Axial slice 502 of 673 of a contrast-enhanced abdominal CT in the arterial phase (slice 1 is the lowest), 140 kVp, kernel I30f; 1.00 mm slice thickness and 0.957 mm pixels.
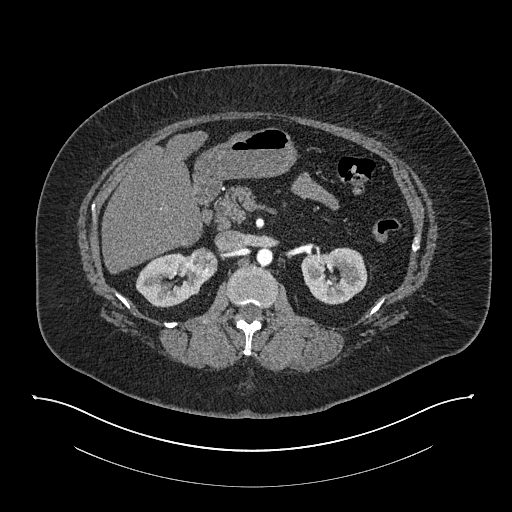
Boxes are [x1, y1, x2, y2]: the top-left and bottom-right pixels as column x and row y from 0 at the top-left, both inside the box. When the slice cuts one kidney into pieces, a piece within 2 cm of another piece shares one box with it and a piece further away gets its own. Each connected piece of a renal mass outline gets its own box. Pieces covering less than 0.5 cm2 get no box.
Three boxes on this slice (two kidney boxes and one renal mass box), listed by box centre from the image's left to its right. (1) Right kidney at [135, 252, 208, 307] (outlined area 2,579 px, about 23.6 cm2). (2) Box [186, 247, 217, 278]: right renal mass (outlined area 745 px, about 6.8 cm2). (3) Left kidney at [300, 247, 367, 304] (outlined area 2,889 px, about 26.5 cm2).